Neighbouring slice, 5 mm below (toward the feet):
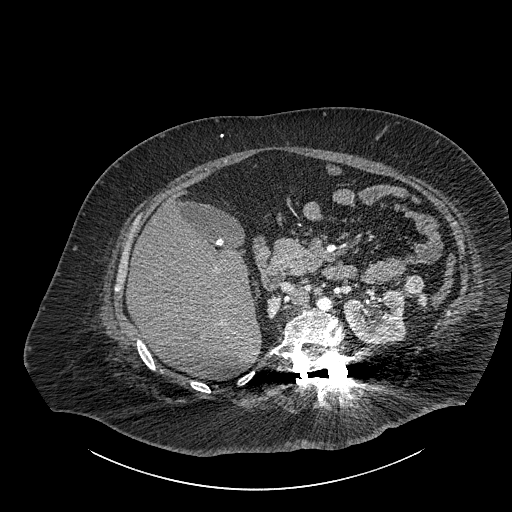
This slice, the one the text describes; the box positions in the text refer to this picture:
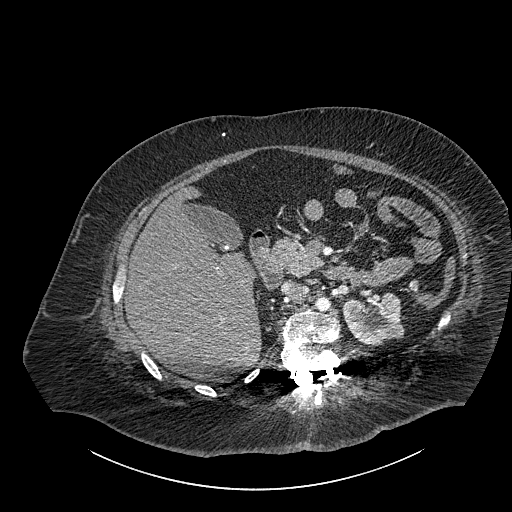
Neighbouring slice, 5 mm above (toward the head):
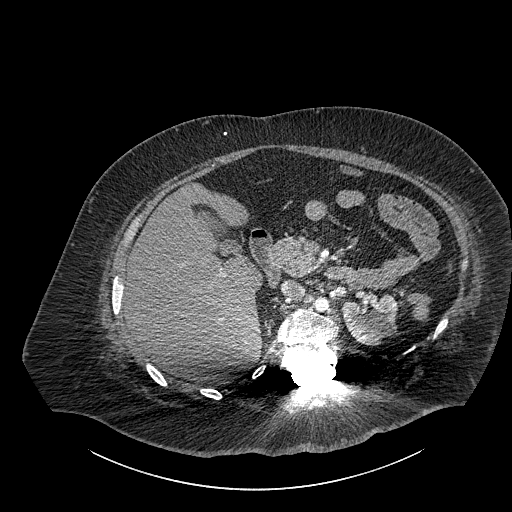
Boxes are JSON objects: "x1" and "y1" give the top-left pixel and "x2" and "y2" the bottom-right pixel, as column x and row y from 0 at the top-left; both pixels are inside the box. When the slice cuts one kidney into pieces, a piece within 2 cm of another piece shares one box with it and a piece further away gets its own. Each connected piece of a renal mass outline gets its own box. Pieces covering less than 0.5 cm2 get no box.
Contrast-enhanced abdominal CT, axial slice 582 of 834 (counted from the lowest slice); 1.00 mm thick, 0.977 mm per pixel. Two boxes on this slice (one kidney box and one renal mass box), listed by box centre from the image's left to its right. (1) Left part of the midline-crossing kidney, box {"x1": 342, "y1": 291, "x2": 403, "y2": 344} (outlined area 2,505 px, about 23.9 cm2). (2) Box {"x1": 410, "y1": 279, "x2": 418, "y2": 290}: renal mass (outlined area 90 px, about 0.9 cm2); it sits over 1 cm from every kidney outline on this slice, but the same outlined renal mass comes within 1 cm of the kidney on another slice. This slice lies near the end of a renal mass toward the head; the slices 5 mm below and 5 mm above it are shown too, and the boxes mark positions on this slice only.
Acquired at 140 kVp and reconstructed with the I30f kernel.